One axial slice (187 of 527, counting up from the lowest) of an arterial-phase abdominal CT acquired with 120 kVp, kernel I30f; each pixel is 0.859 mm and the slice is 1.00 mm thick.
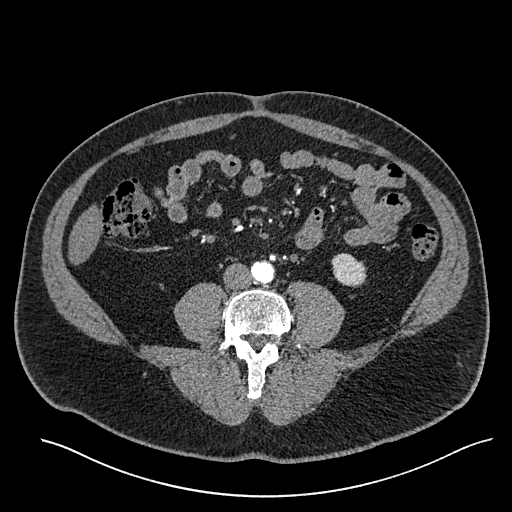
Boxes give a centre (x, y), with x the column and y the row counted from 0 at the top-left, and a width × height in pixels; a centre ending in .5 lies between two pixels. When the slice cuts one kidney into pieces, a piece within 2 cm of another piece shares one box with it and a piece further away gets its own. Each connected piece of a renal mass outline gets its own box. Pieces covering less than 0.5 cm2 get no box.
Left kidney in a box with centre (348.5, 270), 36 × 35 pixels (outlined area 934 px, about 6.9 cm2). This slice carries no renal mass outline.